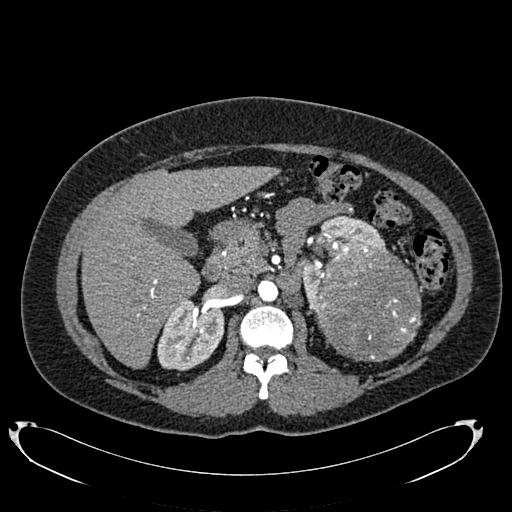
Arterial-phase contrast-enhanced abdominal CT, axial slice 461 of 634 (counted from the lowest slice); tube voltage 120 kVp, convolution kernel B20f; slices 1.00 mm thick, 0.838 mm per pixel.
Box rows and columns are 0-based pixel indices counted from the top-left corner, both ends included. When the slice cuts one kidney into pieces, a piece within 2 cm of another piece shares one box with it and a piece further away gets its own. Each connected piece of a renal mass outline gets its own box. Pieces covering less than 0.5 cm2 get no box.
Two kidney boxes and one renal mass box on this slice; by box centre, from the image's left to its right: (1) Right kidney, box rows 297–370, columns 157–224 (outlined area 3,659 px, about 25.7 cm2). (2) Left kidney at rows 215–312, columns 300–385 (outlined area 2,560 px, about 18.0 cm2). (3) Box rows 242–362, columns 313–421: left renal mass (outlined area 10,241 px, about 71.9 cm2).